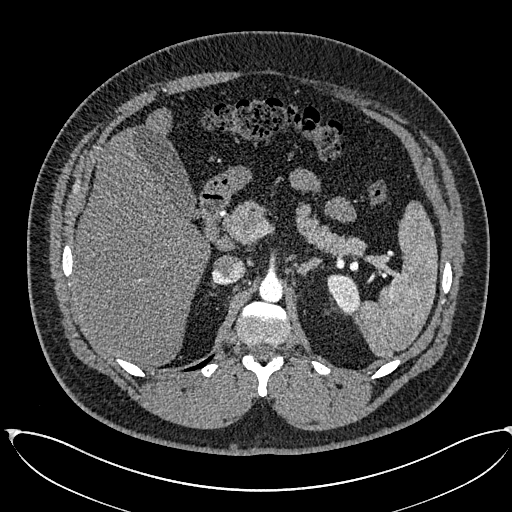
Abdominal CT with intravenous contrast, arterial phase, axial plane, 120 kVp, kernel I30f. Slice 428/673 from the bottom of the scan; thickness 1.00 mm; pixel size 0.855 mm.
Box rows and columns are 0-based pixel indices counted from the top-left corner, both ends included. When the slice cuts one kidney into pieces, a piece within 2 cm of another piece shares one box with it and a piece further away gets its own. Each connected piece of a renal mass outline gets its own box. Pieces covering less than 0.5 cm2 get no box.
Box rows 274–314, columns 327–360: left kidney (outlined area 971 px, about 7.1 cm2). No renal mass outline on this slice.